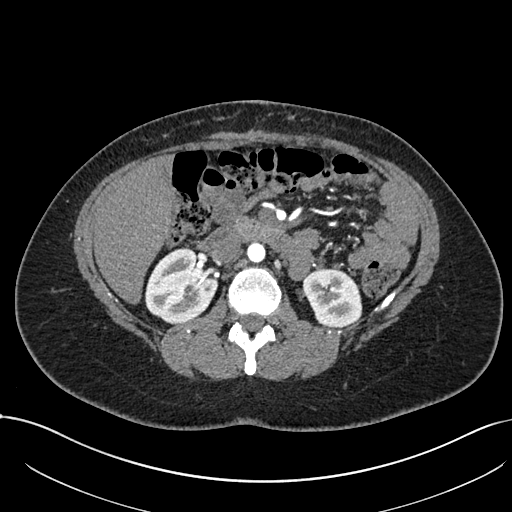
Abdominal CT with intravenous contrast, arterial phase, axial plane, 120 kVp, kernel I30f. Slice 424/738 from the bottom of the scan; thickness 1.00 mm; pixel size 0.789 mm.
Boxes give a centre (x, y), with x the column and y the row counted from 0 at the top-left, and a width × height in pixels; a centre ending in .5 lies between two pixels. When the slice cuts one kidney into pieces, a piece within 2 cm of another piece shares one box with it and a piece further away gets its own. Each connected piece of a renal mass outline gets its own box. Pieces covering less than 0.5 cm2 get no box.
Two kidney boxes on this slice; by box centre, from the image's left to its right: (1) Right kidney, box centre (181, 285), 73 × 77 pixels (outlined area 4,049 px, about 25.2 cm2). (2) Left kidney, box centre (332, 297.5), 61 × 60 pixels (outlined area 2,748 px, about 17.1 cm2). No renal mass outline on this slice.